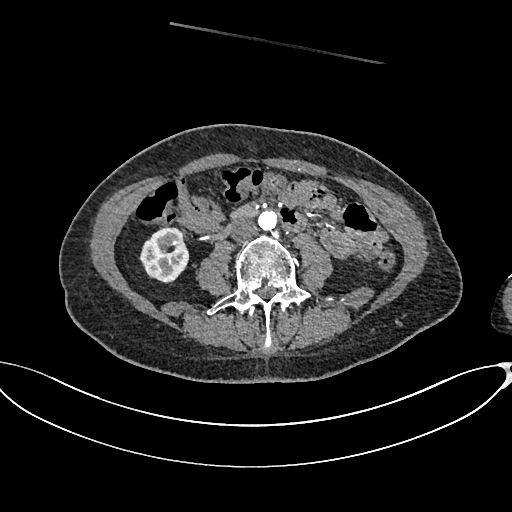
Axial slice 302 of 665 of a contrast-enhanced abdominal CT in the arterial phase (slice 1 is the lowest), 100 kVp, kernel I26f; 1.00 mm slice thickness and 0.828 mm pixels.
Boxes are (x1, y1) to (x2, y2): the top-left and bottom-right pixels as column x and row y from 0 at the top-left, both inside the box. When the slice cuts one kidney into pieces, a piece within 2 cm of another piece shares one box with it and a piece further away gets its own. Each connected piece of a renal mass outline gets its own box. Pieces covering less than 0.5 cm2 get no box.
Box (139, 227) to (189, 283): right kidney (outlined area 2,101 px, about 14.4 cm2). No renal mass is outlined on this slice.